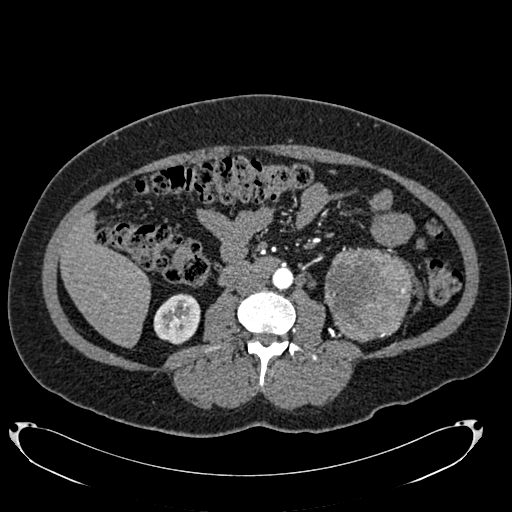
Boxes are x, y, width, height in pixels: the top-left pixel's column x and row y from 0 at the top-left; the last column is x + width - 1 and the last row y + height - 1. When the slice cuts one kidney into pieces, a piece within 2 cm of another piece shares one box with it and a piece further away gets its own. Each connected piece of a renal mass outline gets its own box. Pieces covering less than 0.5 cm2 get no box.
This is axial slice 352 of 634 (slice 1 is the lowest) of an arterial-phase abdominal CT with contrast; each pixel is 0.838 mm and the slice is 1.00 mm thick. One kidney box and one renal mass box on this slice; by box centre, from the image's left to its right: (1) Box x 153, y 293, width 48, height 52: right kidney (outlined area 1,853 px, about 13.0 cm2). (2) Left renal mass, box x 324, y 247, width 91, height 96 (outlined area 6,644 px, about 46.6 cm2); here it is more than 1 cm from any kidney outline, though on another slice the same outlined renal mass lies within 1 cm of the kidney.
Scan settings: 120 kVp, B20f reconstruction kernel.